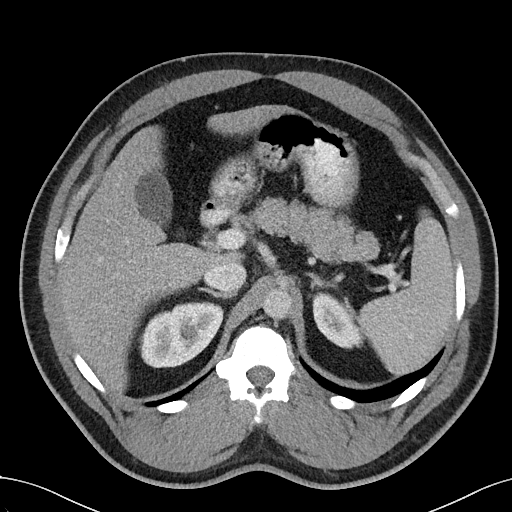
Abdominal CT with intravenous contrast, arterial phase, axial plane, 100 kVp, kernel I40f. Slice 76/102 from the bottom of the scan; thickness 5.00 mm; pixel size 0.781 mm.
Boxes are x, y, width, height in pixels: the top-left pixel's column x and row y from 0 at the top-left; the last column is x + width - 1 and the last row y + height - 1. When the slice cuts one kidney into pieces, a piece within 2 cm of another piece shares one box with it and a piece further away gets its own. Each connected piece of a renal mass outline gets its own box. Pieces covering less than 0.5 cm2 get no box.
Two boxes on this slice (two kidney boxes), listed by box centre from the image's left to its right. (1) Box x 139, y 301, width 85, height 68: right kidney (outlined area 4,063 px, about 24.8 cm2). (2) Left kidney at x 312, y 292, width 53, height 57 (outlined area 1,855 px, about 11.3 cm2). No renal mass outline on this slice.